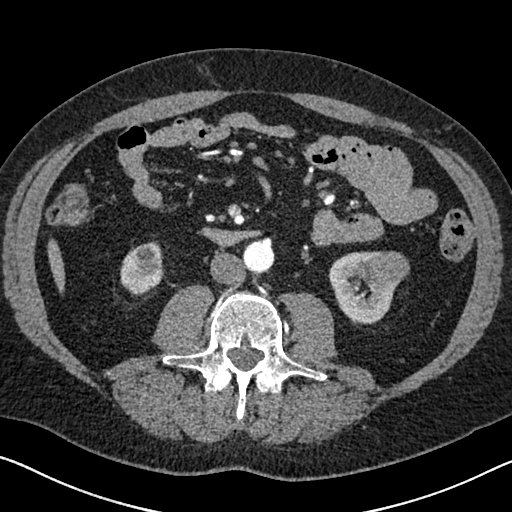
Axial slice 310 of 626 of a contrast-enhanced abdominal CT in the arterial phase (slice 1 is the lowest), 120 kVp, kernel I30f; 1.00 mm slice thickness and 0.703 mm pixels.
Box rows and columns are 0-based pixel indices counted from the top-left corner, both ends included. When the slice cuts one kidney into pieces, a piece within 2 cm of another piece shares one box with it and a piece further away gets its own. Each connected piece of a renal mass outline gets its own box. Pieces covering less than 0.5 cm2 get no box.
Two kidney boxes and one renal mass box on this slice; by box centre, from the image's left to its right: (1) Box rows 241–295, columns 120–163: right kidney (outlined area 1,801 px, about 8.9 cm2). (2) Box rows 251–324, columns 328–399: left kidney (outlined area 2,758 px, about 13.6 cm2). (3) Box rows 251–285, columns 357–409: left renal mass (outlined area 1,516 px, about 7.5 cm2).